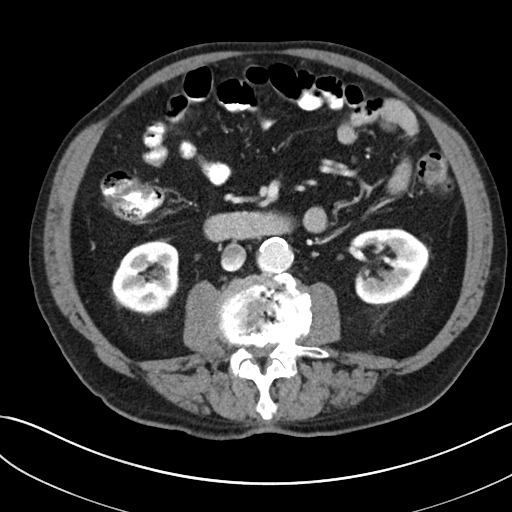
Abdominal CT with intravenous contrast, axial plane, 100 kVp, kernel I30f. Slice 116/269 from the bottom of the scan; thickness 5.00 mm; pixel size 0.732 mm.
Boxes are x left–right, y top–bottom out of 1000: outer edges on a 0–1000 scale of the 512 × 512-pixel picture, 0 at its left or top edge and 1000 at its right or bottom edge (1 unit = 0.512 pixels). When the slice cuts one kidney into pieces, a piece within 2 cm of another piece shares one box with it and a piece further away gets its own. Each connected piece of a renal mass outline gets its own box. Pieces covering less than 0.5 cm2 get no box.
Boxed on this slice (two kidney boxes), listed by box centre from the image's left to its right: (1) Box x 217–352, y 465–617 out of 1000: right kidney (outlined area 4,021 px, about 21.6 cm2). (2) Box x 682–840, y 445–602 out of 1000: left kidney (outlined area 4,448 px, about 23.9 cm2). No renal mass is outlined on this slice.